One axial slice (72 of 114, counting up from the lowest) of an arterial-phase abdominal CT acquired with 120 kVp, kernel B31f; each pixel is 0.781 mm and the slice is 5.00 mm thick.
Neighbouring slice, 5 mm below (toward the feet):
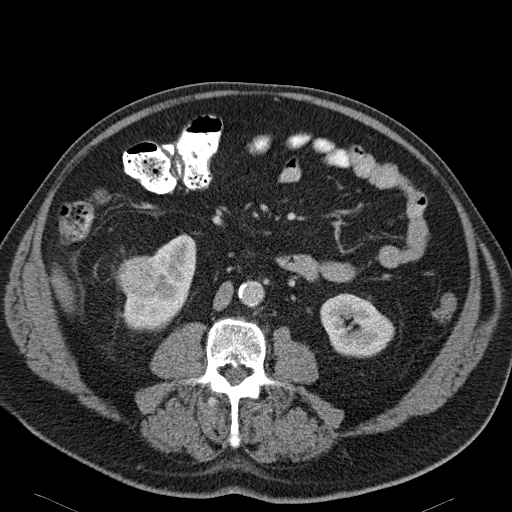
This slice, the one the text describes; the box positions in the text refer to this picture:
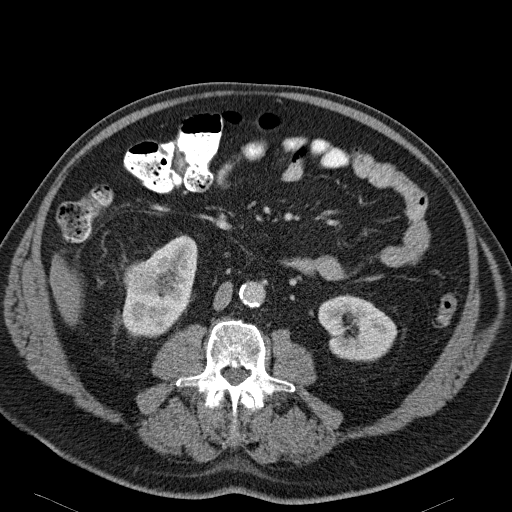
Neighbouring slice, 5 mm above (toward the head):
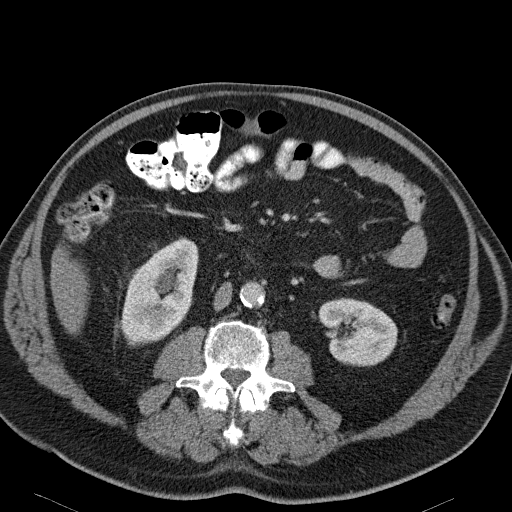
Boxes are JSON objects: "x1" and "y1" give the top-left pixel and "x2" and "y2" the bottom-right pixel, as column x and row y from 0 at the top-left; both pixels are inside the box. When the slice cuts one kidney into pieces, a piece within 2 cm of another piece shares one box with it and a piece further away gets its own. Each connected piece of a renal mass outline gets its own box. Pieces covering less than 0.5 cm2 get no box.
Three boxes on this slice (two kidney boxes and one renal mass box), listed by box centre from the image's left to its right. (1) Right renal mass at {"x1": 123, "y1": 260, "x2": 157, "y2": 294} (outlined area 924 px, about 5.6 cm2). (2) Right kidney, box {"x1": 122, "y1": 235, "x2": 197, "y2": 337} (outlined area 4,625 px, about 28.2 cm2). (3) Left kidney, box {"x1": 318, "y1": 295, "x2": 397, "y2": 361} (outlined area 3,901 px, about 23.8 cm2). This slice lies near the end of the right renal mass toward the head; the slices 5 mm below and 5 mm above it are shown too, and the boxes mark positions on this slice only.